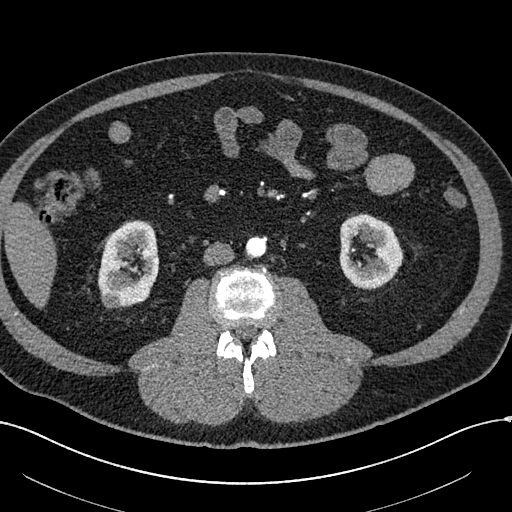
Axial slice 260 of 602 of a contrast-enhanced abdominal CT in the arterial phase (slice 1 is the lowest), 120 kVp, kernel I30f; 1.00 mm slice thickness and 0.799 mm pixels.
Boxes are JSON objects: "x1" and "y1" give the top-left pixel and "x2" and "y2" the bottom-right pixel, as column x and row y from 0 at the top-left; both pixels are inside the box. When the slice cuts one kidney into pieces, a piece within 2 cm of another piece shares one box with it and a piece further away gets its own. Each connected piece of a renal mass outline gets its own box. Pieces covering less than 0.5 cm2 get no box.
Boxed on this slice (two kidney boxes and one renal mass box), listed by box centre from the image's left to its right: (1) Right renal mass at {"x1": 101, "y1": 292, "x2": 119, "y2": 308} (outlined area 265 px, about 1.7 cm2). (2) Box {"x1": 97, "y1": 220, "x2": 158, "y2": 307}: right kidney (outlined area 3,908 px, about 24.9 cm2). (3) Box {"x1": 339, "y1": 214, "x2": 402, "y2": 289}: left kidney (outlined area 3,525 px, about 22.5 cm2).